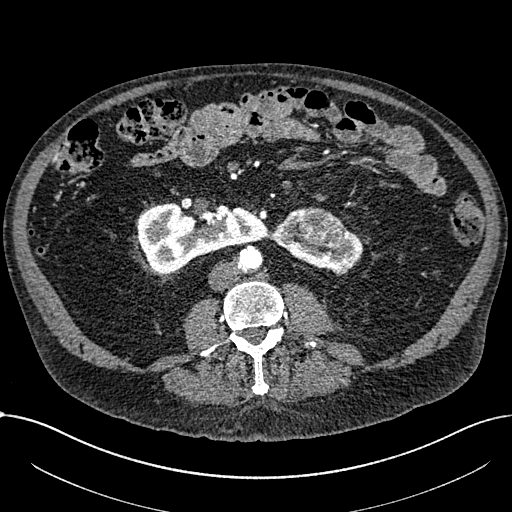
Axial slice 313 of 1059 of a contrast-enhanced abdominal CT in the arterial phase (slice 1 is the lowest), 100 kVp, kernel I30f; 1.00 mm slice thickness and 0.811 mm pixels.
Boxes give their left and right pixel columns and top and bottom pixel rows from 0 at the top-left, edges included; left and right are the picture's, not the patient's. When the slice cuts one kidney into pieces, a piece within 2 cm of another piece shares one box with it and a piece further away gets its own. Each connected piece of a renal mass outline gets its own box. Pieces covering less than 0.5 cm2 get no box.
Two kidney boxes and one renal mass box on this slice; by box centre, from the image's left to its right: (1) Right part of the midline-crossing kidney in the box with left 137, top 201, right 267, bottom 272 (outlined area 6,184 px, about 40.6 cm2). (2) Box with left 271, top 207, right 363, bottom 273: left part of the midline-crossing kidney (outlined area 2,631 px, about 17.3 cm2). (3) Renal mass, the box with left 296, top 209, right 343, bottom 246 (outlined area 1,359 px, about 8.9 cm2).